Contrast-enhanced abdominal CT, axial slice 128 of 269 (counted from the lowest slice); tube voltage 100 kVp, convolution kernel I30f; slices 5.00 mm thick, 0.732 mm per pixel.
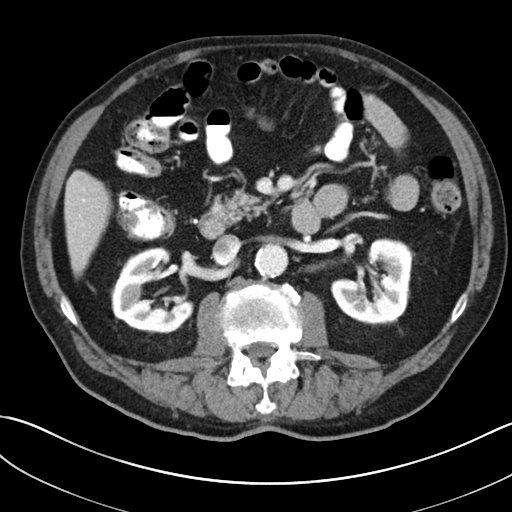
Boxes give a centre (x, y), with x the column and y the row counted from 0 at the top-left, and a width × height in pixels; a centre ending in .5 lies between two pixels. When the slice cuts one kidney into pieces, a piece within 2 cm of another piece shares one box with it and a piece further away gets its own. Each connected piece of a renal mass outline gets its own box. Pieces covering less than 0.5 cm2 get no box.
Boxed on this slice (two kidney boxes), listed by box centre from the image's left to its right: (1) Right kidney, box centre (151.5, 290), 82 × 87 pixels (outlined area 4,488 px, about 24.1 cm2). (2) Left kidney in a box with centre (372.5, 282), 86 × 89 pixels (outlined area 4,895 px, about 26.3 cm2). No renal mass is outlined on this slice.